Axial slice 152 of 345 of a contrast-enhanced abdominal CT in the arterial phase (slice 1 is the lowest), 120 kVp, kernel I31f; 2.00 mm slice thickness and 0.977 mm pixels.
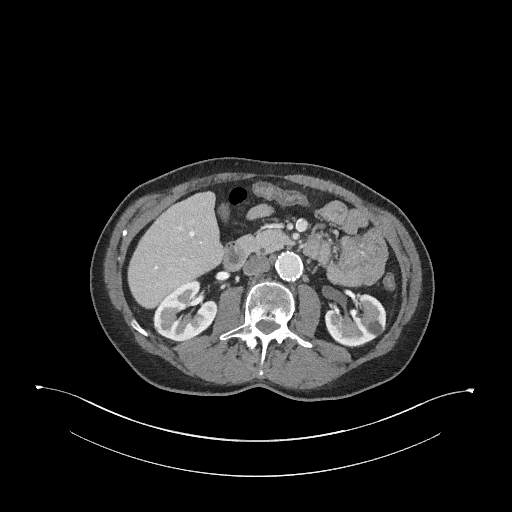
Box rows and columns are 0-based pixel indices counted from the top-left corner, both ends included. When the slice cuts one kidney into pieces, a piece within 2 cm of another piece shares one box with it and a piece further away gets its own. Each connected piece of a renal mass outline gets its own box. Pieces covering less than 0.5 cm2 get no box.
Boxed on this slice (two kidney boxes), listed by box centre from the image's left to its right: (1) Right kidney at rows 281–341, columns 153–218 (outlined area 2,723 px, about 26.0 cm2). (2) Left kidney at rows 293–346, columns 324–386 (outlined area 2,409 px, about 23.0 cm2). This slice carries no renal mass outline.